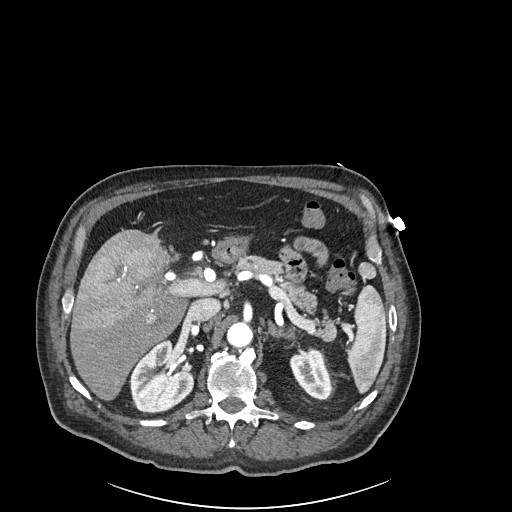
One axial slice (152 of 261, counting up from the lowest) of an arterial-phase abdominal CT acquired with 120 kVp, kernel I30f; each pixel is 0.939 mm and the slice is 2.00 mm thick.
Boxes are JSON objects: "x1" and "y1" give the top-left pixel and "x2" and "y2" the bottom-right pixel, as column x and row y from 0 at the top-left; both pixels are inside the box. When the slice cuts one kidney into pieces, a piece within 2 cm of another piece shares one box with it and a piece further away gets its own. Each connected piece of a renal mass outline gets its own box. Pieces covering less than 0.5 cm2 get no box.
Two boxes on this slice (two kidney boxes), listed by box centre from the image's left to its right. (1) Right kidney, box {"x1": 129, "y1": 340, "x2": 194, "y2": 414} (outlined area 3,496 px, about 30.9 cm2). (2) Box {"x1": 289, "y1": 349, "x2": 331, "y2": 399}: left kidney (outlined area 1,475 px, about 13.0 cm2). No renal mass is outlined on this slice.